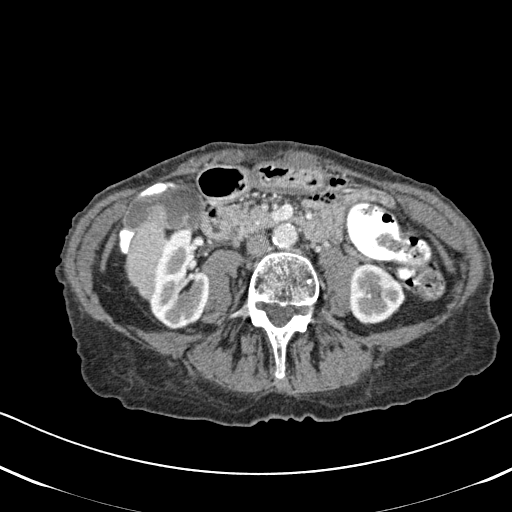
Axial slice 254 of 620 of a contrast-enhanced abdominal CT in the arterial phase (slice 1 is the lowest), 120 kVp, kernel B31f; 2.00 mm slice thickness and 0.637 mm pixels.
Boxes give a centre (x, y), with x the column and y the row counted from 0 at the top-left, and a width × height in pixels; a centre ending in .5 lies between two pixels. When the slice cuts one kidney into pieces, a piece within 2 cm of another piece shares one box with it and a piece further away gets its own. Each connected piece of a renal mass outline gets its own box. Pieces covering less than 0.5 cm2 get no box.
Two boxes on this slice (two kidney boxes), listed by box centre from the image's left to its right. (1) Box centre (179.5, 279), 62 × 101 pixels: right kidney (outlined area 4,467 px, about 18.1 cm2). (2) Left kidney in a box with centre (376.5, 294), 58 × 63 pixels (outlined area 2,700 px, about 10.9 cm2). No renal mass outline on this slice.